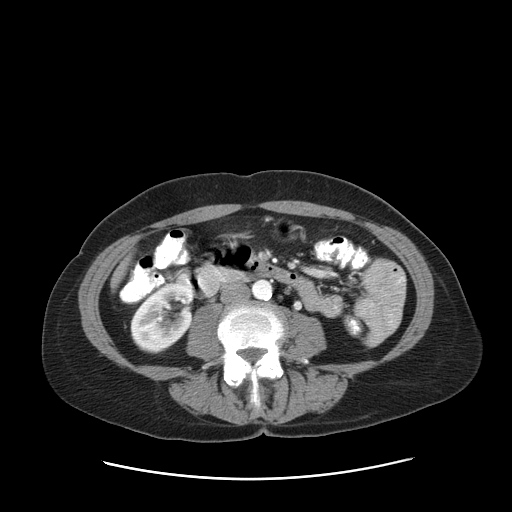
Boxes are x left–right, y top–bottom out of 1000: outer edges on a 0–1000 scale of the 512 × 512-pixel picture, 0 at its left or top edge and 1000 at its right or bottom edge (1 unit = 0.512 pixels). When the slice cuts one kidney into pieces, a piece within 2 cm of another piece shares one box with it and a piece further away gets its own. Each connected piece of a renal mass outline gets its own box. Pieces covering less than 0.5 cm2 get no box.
Slice 44/83 of a contrast-enhanced abdominal CT in the arterial phase, counting up from the lowest; pixel size 0.775 mm, slice thickness 5.00 mm. Box x 254–385, y 551–691 out of 1000: right kidney (outlined area 3,358 px, about 20.2 cm2). No renal mass outline on this slice.
Scan settings: 120 kVp, STANDARD reconstruction kernel.